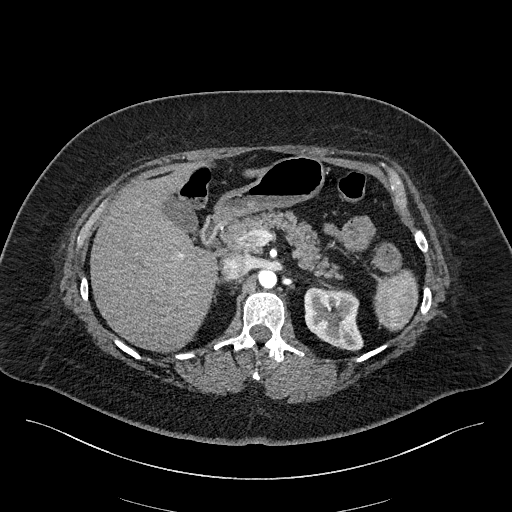
Abdominal CT with intravenous contrast, arterial phase, axial plane, 100 kVp, kernel I40f. Slice 141/270 from the bottom of the scan; thickness 2.00 mm; pixel size 0.855 mm.
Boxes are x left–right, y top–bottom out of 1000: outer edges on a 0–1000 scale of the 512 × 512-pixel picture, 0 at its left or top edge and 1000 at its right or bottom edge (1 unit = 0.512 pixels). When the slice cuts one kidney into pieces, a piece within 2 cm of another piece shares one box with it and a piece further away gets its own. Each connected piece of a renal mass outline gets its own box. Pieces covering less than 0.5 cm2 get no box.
Left kidney, box x 594–711, y 559–688 out of 1000 (outlined area 2,902 px, about 21.2 cm2). No renal mass outline on this slice.